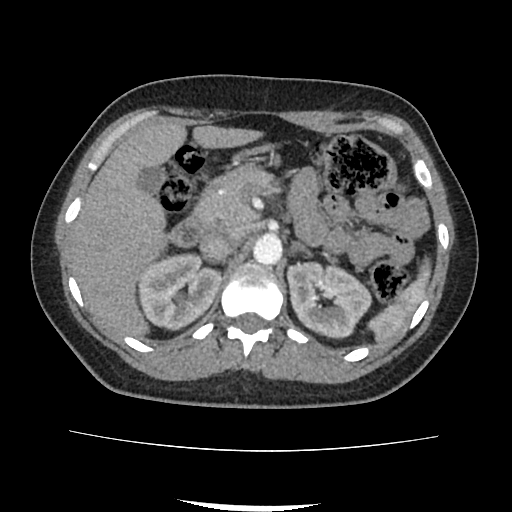
Contrast-enhanced abdominal CT, axial slice 63 of 103 (counted from the lowest slice); tube voltage 120 kVp, convolution kernel FC18; slices 3.00 mm thick, 0.714 mm per pixel.
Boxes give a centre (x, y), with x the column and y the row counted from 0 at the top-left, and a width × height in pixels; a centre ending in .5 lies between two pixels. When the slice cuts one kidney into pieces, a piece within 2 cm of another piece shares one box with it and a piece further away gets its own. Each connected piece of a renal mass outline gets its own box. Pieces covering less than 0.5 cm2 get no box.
Two kidney boxes on this slice; by box centre, from the image's left to its right: (1) Box centre (180, 291.5), 85 × 78 pixels: right kidney (outlined area 4,838 px, about 24.7 cm2). (2) Box centre (329, 299.5), 87 × 78 pixels: left kidney (outlined area 4,836 px, about 24.7 cm2). No renal mass is outlined on this slice.